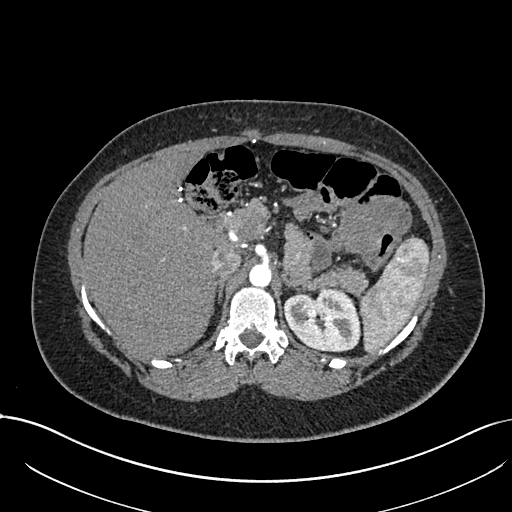
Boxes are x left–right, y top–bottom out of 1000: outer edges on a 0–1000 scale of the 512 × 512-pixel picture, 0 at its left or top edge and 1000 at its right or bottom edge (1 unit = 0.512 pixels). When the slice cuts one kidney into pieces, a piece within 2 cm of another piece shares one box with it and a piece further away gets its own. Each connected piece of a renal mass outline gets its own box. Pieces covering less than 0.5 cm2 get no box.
This is axial slice 516 of 738 (slice 1 is the lowest) of an arterial-phase abdominal CT with contrast; each pixel is 0.789 mm and the slice is 1.00 mm thick. Left kidney at x 553–705, y 561–689 out of 1000 (outlined area 3,936 px, about 24.5 cm2).
Acquired at 120 kVp and reconstructed with the I30f kernel.